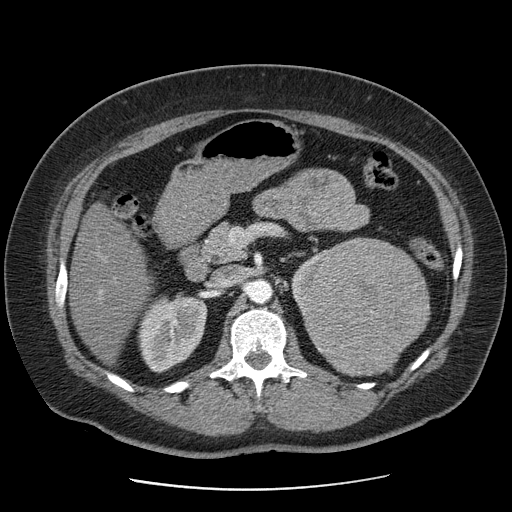
Abdominal CT with intravenous contrast, axial plane, 120 kVp, kernel STANDARD. Slice 53/103 from the bottom of the scan; thickness 2.50 mm; pixel size 0.736 mm.
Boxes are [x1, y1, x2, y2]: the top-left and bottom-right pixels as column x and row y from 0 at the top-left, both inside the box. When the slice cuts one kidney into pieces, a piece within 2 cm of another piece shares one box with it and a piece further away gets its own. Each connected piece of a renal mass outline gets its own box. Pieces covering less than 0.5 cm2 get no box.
Four boxes on this slice (three kidney boxes and one renal mass box), listed by box centre from the image's left to its right. (1) Right kidney at [138, 296, 207, 372] (outlined area 3,957 px, about 21.5 cm2). (2) Left kidney (one of two boxed parts) at [291, 249, 326, 311] (outlined area 830 px, about 4.5 cm2). (3) Left renal mass at [301, 237, 428, 376] (outlined area 13,448 px, about 72.9 cm2). (4) Left kidney (one of two boxed parts), box [417, 296, 430, 338] (outlined area 131 px, about 0.7 cm2).